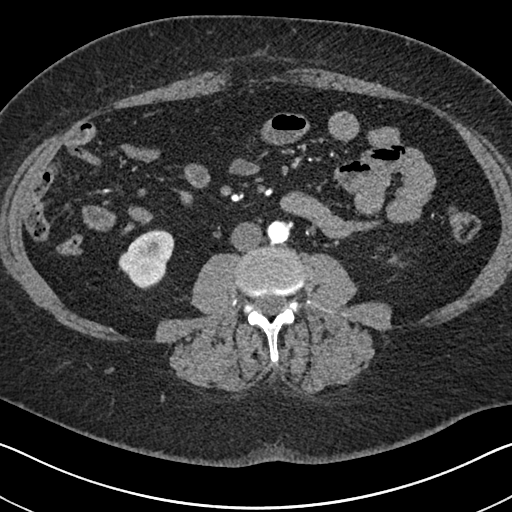
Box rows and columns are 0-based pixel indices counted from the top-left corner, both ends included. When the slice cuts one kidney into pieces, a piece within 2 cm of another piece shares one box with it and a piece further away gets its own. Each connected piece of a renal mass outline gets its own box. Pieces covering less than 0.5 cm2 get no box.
Slice 289/591 of a contrast-enhanced abdominal CT in the arterial phase, counting up from the lowest; pixel size 0.703 mm, slice thickness 1.00 mm. Box rows 229–289, columns 118–174: right kidney (outlined area 2,311 px, about 11.4 cm2). This slice carries no renal mass outline.
Scan settings: 140 kVp, I30f reconstruction kernel.